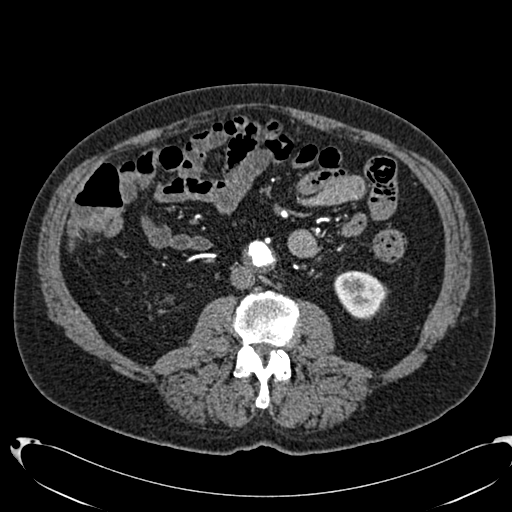
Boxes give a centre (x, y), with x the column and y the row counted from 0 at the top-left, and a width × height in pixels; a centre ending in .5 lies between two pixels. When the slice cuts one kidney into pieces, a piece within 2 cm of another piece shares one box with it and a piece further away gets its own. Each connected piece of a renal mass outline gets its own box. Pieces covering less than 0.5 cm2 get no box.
Arterial-phase contrast-enhanced abdominal CT, axial slice 331 of 553 (counted from the lowest slice); 1.00 mm thick, 0.773 mm per pixel. Box centre (358.5, 293.5), 52 × 48 pixels: left kidney (outlined area 1,851 px, about 11.1 cm2). No renal mass outline on this slice.
Scan settings: 120 kVp, B20f reconstruction kernel.